One axial slice (162 of 274, counting up from the lowest) of an arterial-phase abdominal CT acquired with 120 kVp, kernel B30f; each pixel is 0.809 mm and the slice is 2.00 mm thick.
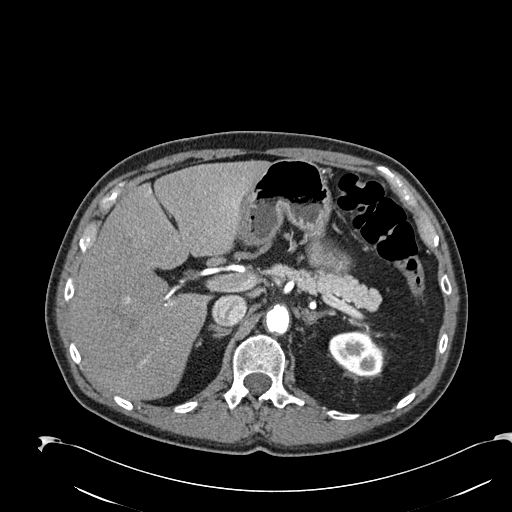
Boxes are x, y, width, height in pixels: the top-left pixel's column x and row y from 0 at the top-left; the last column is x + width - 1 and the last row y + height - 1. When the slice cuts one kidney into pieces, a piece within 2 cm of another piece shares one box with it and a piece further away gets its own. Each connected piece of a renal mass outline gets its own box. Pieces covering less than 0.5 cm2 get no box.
Left kidney, box x 329, y 331, width 54, height 46 (outlined area 1,888 px, about 12.3 cm2). No renal mass is outlined on this slice.